One axial slice (288 of 538, counting up from the lowest) of an arterial-phase abdominal CT acquired with 120 kVp, kernel B30f; each pixel is 0.811 mm and the slice is 1.00 mm thick.
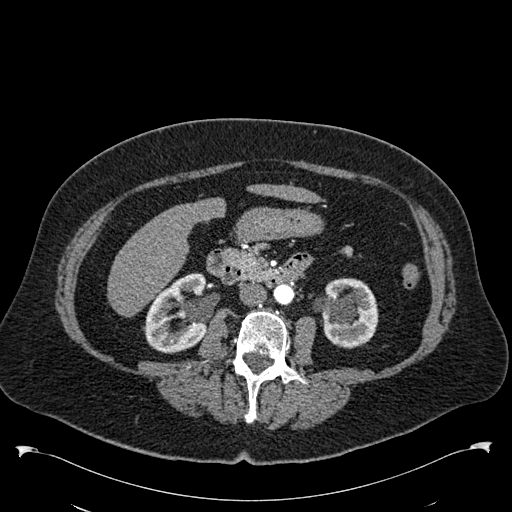
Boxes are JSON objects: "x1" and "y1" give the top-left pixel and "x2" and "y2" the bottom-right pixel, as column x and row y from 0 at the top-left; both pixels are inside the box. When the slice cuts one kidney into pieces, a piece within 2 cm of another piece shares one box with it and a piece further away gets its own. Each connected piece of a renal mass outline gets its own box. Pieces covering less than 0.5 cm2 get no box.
Two boxes on this slice (two kidney boxes), listed by box centre from the image's left to its right. (1) Box {"x1": 143, "y1": 273, "x2": 207, "y2": 353}: right kidney (outlined area 3,707 px, about 24.4 cm2). (2) Left kidney at {"x1": 313, "y1": 278, "x2": 378, "y2": 348} (outlined area 3,406 px, about 22.4 cm2). No renal mass outline on this slice.